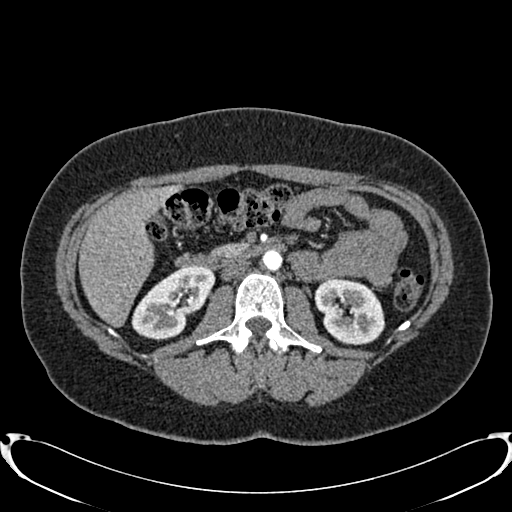
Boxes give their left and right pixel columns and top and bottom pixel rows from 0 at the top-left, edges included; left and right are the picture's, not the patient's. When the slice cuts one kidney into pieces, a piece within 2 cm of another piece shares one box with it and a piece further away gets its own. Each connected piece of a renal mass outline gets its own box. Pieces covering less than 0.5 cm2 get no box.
This is axial slice 438 of 719 (slice 1 is the lowest) of an arterial-phase abdominal CT with contrast; each pixel is 0.766 mm and the slice is 1.00 mm thick. Two boxes on this slice (two kidney boxes), listed by box centre from the image's left to its right. (1) Box with left 131, top 265, right 214, bottom 340: right kidney (outlined area 3,936 px, about 23.1 cm2). (2) Left kidney in the box with left 314, top 278, right 385, bottom 345 (outlined area 3,559 px, about 20.9 cm2). No renal mass outline on this slice.
Tube voltage 120 kVp; convolution kernel B20f.